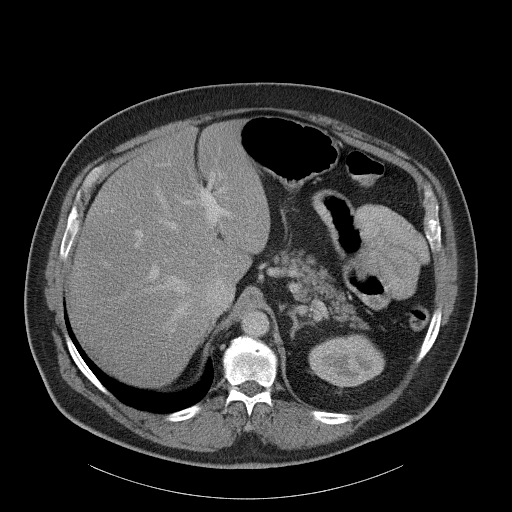
Axial slice 81 of 107 of a contrast-enhanced abdominal CT (slice 1 is the lowest), 120 kVp, kernel B31f; 5.00 mm slice thickness and 0.941 mm pixels.
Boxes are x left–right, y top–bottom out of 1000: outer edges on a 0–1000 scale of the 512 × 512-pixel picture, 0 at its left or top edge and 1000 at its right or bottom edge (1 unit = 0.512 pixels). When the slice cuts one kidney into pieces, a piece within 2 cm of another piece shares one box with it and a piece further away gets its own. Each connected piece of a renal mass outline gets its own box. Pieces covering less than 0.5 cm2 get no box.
Left kidney, box x 602–752, y 652–760 out of 1000 (outlined area 3,086 px, about 27.3 cm2). No renal mass is outlined on this slice.